One axial slice (117 of 178, counting up from the lowest) of a contrast-enhanced abdominal CT acquired with 120 kVp, kernel B; each pixel is 0.818 mm and the slice is 3.00 mm thick.
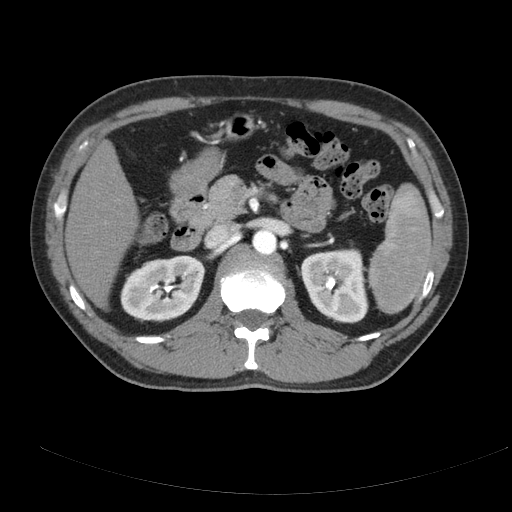
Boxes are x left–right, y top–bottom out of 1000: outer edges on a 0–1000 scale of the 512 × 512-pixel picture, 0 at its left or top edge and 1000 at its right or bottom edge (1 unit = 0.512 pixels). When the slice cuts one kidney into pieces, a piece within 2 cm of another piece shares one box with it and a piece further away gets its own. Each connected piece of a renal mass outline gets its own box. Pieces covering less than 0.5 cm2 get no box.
Two kidney boxes on this slice; by box centre, from the image's left to its right: (1) Right kidney at x 234–402, y 500–631 out of 1000 (outlined area 4,318 px, about 28.9 cm2). (2) Box x 586–721, y 482–633 out of 1000: left kidney (outlined area 4,023 px, about 26.9 cm2). No renal mass is outlined on this slice.